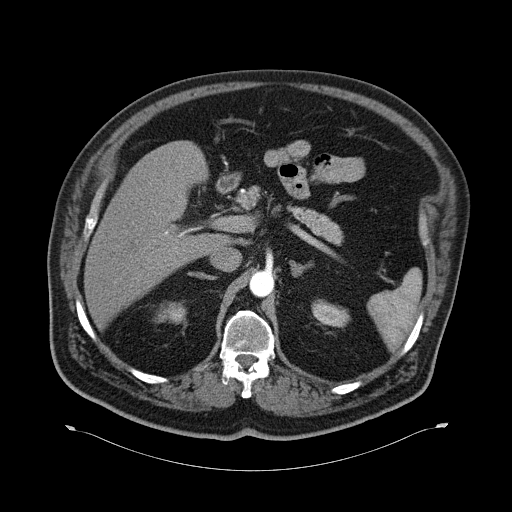
Arterial-phase contrast-enhanced abdominal CT, axial slice 44 of 70 (counted from the lowest slice); tube voltage 120 kVp, convolution kernel B30f; slices 5.00 mm thick, 0.977 mm per pixel.
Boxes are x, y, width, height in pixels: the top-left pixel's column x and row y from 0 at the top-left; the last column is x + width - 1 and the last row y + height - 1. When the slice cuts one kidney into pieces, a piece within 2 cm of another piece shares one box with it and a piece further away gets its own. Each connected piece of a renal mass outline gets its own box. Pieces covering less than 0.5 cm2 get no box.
Two kidney boxes on this slice; by box centre, from the image's left to its right: (1) Right kidney at x 154, y 302, width 33, height 23 (outlined area 543 px, about 5.2 cm2). (2) Box x 311, y 299, width 40, height 29: left kidney (outlined area 780 px, about 7.4 cm2). No renal mass outline on this slice.